Contrast-enhanced abdominal CT, axial slice 85 of 107 (counted from the lowest slice); tube voltage 120 kVp, convolution kernel B31f; slices 5.00 mm thick, 0.941 mm per pixel.
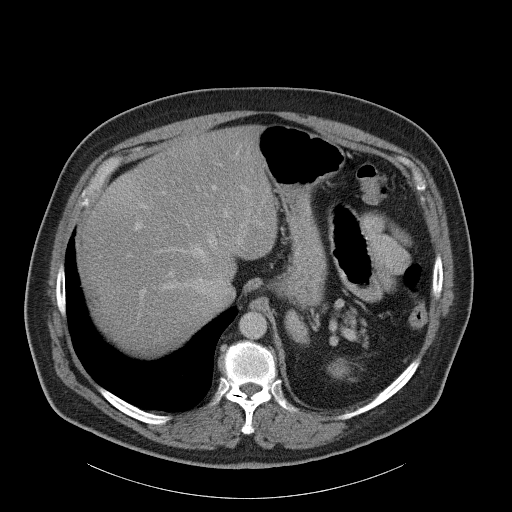
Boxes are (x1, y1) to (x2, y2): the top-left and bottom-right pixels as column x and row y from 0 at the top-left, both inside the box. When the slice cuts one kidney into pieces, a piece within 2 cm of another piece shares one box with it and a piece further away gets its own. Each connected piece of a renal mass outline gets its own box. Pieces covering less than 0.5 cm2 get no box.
Left kidney from (327, 358) to (350, 379) (outlined area 346 px, about 3.1 cm2). No renal mass is outlined on this slice.